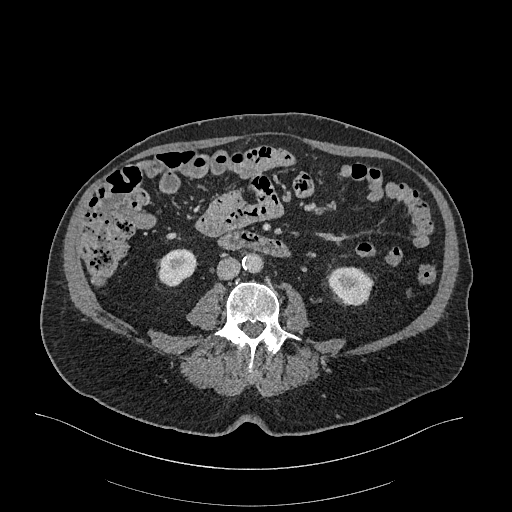
Abdominal CT with intravenous contrast, arterial phase, axial plane, 120 kVp, kernel I26f. Slice 80/470 from the bottom of the scan; thickness 1.00 mm; pixel size 0.938 mm.
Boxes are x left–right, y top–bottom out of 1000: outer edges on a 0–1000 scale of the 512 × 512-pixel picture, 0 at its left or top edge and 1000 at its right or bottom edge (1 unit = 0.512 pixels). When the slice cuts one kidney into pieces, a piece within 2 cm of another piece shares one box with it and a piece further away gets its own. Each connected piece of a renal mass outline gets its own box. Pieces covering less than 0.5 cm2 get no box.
Two kidney boxes on this slice; by box centre, from the image's left to its right: (1) Right kidney at x 309–385, y 484–561 out of 1000 (outlined area 1,141 px, about 10.0 cm2). (2) Left kidney at x 637–730, y 520–598 out of 1000 (outlined area 1,400 px, about 12.3 cm2). No renal mass outline on this slice.